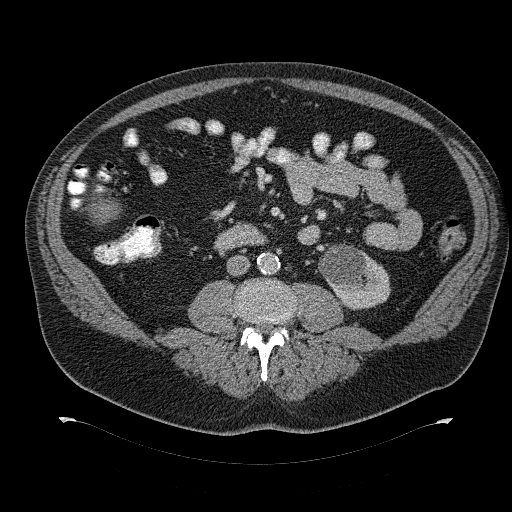
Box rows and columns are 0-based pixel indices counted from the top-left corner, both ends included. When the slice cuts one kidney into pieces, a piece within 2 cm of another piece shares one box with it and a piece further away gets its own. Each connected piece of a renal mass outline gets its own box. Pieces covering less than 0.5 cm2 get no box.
Slice 157/274 of a contrast-enhanced abdominal CT, counting up from the lowest; pixel size 0.977 mm, slice thickness 2.00 mm. Left kidney, box rows 243–310, columns 318–389 (outlined area 3,341 px, about 31.9 cm2). No renal mass is outlined on this slice.
Scan settings: 120 kVp, B31f reconstruction kernel.